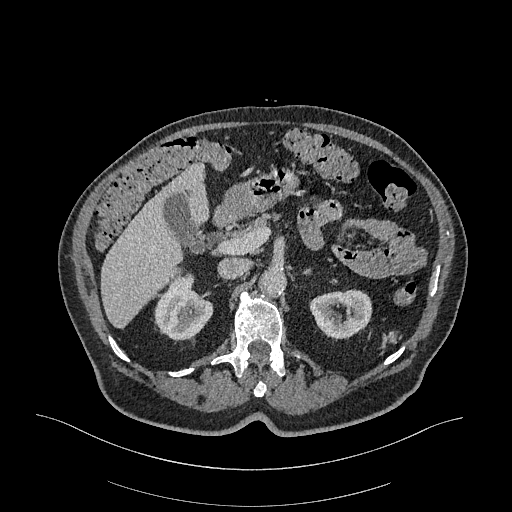
Axial slice 215 of 470 of a contrast-enhanced abdominal CT in the arterial phase (slice 1 is the lowest), 120 kVp, kernel I26f; 1.00 mm slice thickness and 0.938 mm pixels.
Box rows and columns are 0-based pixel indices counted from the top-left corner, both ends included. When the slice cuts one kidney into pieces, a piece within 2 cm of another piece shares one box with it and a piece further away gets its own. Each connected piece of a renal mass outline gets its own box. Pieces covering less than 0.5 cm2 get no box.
Boxed on this slice (two kidney boxes), listed by box centre from the image's left to its right: (1) Box rows 273–340, columns 154–212: right kidney (outlined area 2,639 px, about 23.2 cm2). (2) Left kidney at rows 289–339, columns 309–372 (outlined area 2,349 px, about 20.6 cm2). No renal mass outline on this slice.